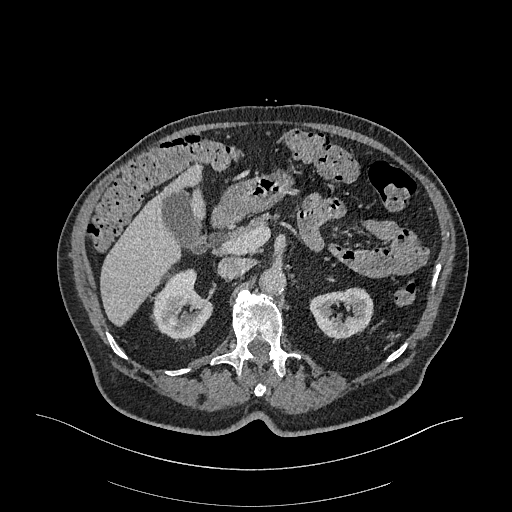
Axial slice 211 of 470 of a contrast-enhanced abdominal CT in the arterial phase (slice 1 is the lowest), 120 kVp, kernel I26f; 1.00 mm slice thickness and 0.938 mm pixels.
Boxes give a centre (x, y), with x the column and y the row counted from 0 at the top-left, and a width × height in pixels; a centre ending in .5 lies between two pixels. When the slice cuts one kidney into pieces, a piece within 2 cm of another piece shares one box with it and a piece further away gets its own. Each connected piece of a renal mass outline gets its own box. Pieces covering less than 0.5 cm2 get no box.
Two boxes on this slice (two kidney boxes), listed by box centre from the image's left to its right. (1) Box centre (182, 303.5), 61 × 72 pixels: right kidney (outlined area 2,892 px, about 25.4 cm2). (2) Left kidney, box centre (341, 312), 65 × 51 pixels (outlined area 2,358 px, about 20.7 cm2). No renal mass outline on this slice.